Abdominal CT with intravenous contrast, axial plane, 100 kVp, kernel I30f. Slice 10/38 from the bottom of the scan; thickness 5.00 mm; pixel size 0.730 mm.
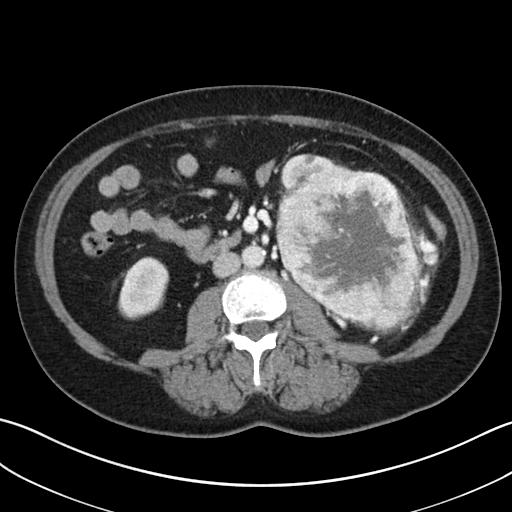
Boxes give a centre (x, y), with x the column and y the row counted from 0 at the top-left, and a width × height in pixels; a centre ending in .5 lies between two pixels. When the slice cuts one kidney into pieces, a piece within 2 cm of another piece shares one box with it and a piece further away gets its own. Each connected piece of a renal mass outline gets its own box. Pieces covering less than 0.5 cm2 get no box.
Boxed on this slice (two kidney boxes and one renal mass box), listed by box centre from the image's left to its right: (1) Box centre (143.5, 287.5), 52 × 64 pixels: right kidney (outlined area 2,429 px, about 13.0 cm2). (2) Left kidney, box centre (307.5, 172), 54 × 37 pixels (outlined area 1,096 px, about 5.8 cm2). (3) Box centre (346.5, 247), 144 × 165 pixels: left renal mass (outlined area 17,549 px, about 93.6 cm2).